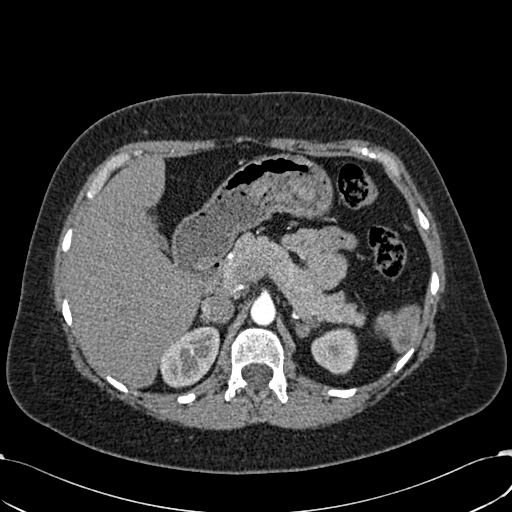
Arterial-phase contrast-enhanced abdominal CT, axial slice 436 of 532 (counted from the lowest slice); tube voltage 120 kVp, convolution kernel B30f; slices 1.00 mm thick, 0.713 mm per pixel.
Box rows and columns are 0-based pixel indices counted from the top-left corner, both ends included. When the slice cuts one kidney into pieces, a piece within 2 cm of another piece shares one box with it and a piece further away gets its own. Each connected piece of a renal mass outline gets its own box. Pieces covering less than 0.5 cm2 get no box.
Boxed on this slice (two kidney boxes), listed by box centre from the image's left to its right: (1) Box rows 326–388, columns 159–219: right kidney (outlined area 2,702 px, about 13.7 cm2). (2) Box rows 327–374, columns 311–358: left kidney (outlined area 1,696 px, about 8.6 cm2). No renal mass is outlined on this slice.